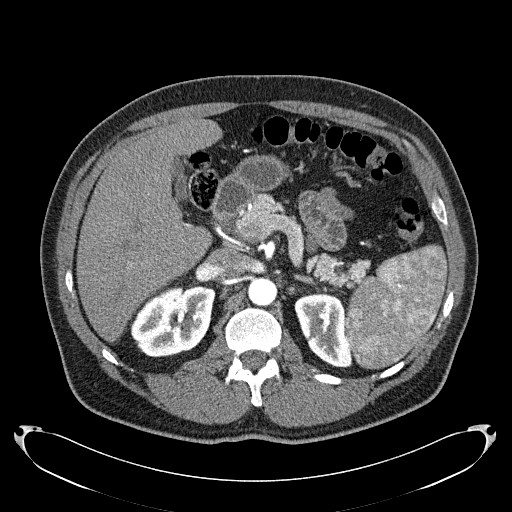
Abdominal CT with intravenous contrast, arterial phase, axial plane, 120 kVp, kernel B31f. Slice 149/279 from the bottom of the scan; thickness 2.00 mm; pixel size 0.824 mm.
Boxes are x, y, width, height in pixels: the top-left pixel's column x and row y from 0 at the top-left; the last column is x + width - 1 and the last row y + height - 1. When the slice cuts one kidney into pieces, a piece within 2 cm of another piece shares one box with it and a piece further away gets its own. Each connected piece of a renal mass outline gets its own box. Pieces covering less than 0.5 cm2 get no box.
Boxed on this slice (two kidney boxes), listed by box centre from the image's left to its right: (1) Box x 130, y 284, width 86, height 74: right kidney (outlined area 4,607 px, about 31.3 cm2). (2) Left kidney, box x 294, y 292, width 58, height 76 (outlined area 3,032 px, about 20.6 cm2). No renal mass is outlined on this slice.